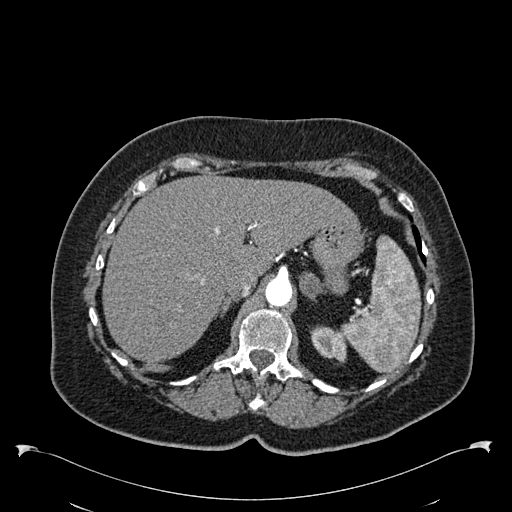
Arterial-phase contrast-enhanced abdominal CT, axial slice 440 of 538 (counted from the lowest slice); tube voltage 120 kVp, convolution kernel B30f; slices 1.00 mm thick, 0.811 mm per pixel.
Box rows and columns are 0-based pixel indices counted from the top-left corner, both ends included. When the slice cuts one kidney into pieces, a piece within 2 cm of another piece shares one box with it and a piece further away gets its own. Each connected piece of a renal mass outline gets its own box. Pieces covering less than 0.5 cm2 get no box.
Left kidney, box rows 325–363, columns 310–346 (outlined area 984 px, about 6.5 cm2). This slice carries no renal mass outline.